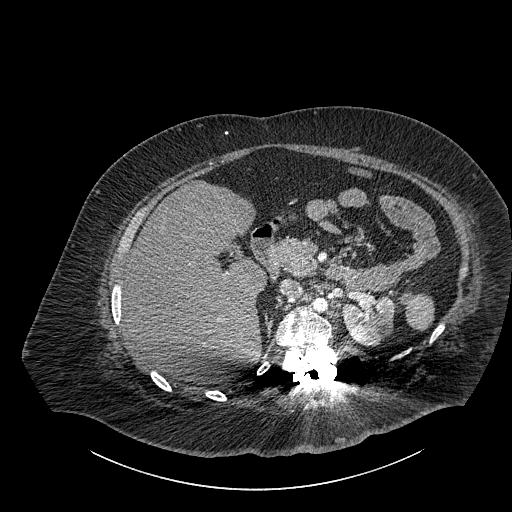
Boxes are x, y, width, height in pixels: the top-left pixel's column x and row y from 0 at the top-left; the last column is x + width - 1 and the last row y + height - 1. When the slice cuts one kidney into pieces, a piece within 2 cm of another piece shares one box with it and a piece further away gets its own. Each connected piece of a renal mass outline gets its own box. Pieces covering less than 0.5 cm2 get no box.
Slice 600/834 of a contrast-enhanced abdominal CT, counting up from the lowest; pixel size 0.977 mm, slice thickness 1.00 mm. Box x 342, y 295, width 53, height 51: left part of the midline-crossing kidney (outlined area 2,053 px, about 19.6 cm2). This slice carries no renal mass outline.
Scan settings: 140 kVp, I30f reconstruction kernel.